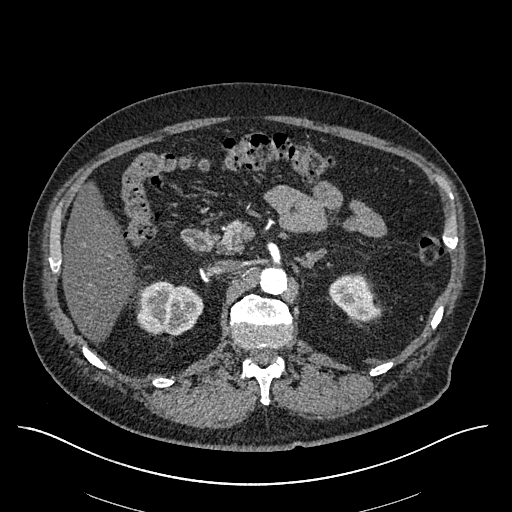
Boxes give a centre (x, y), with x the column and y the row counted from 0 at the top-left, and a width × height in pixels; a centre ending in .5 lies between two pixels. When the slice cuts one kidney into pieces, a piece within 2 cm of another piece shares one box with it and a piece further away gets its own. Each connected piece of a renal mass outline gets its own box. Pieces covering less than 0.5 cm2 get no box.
This is axial slice 382 of 670 (slice 1 is the lowest) of an arterial-phase abdominal CT with contrast; each pixel is 0.861 mm and the slice is 1.00 mm thick. Boxed on this slice (two kidney boxes), listed by box centre from the image's left to its right: (1) Box centre (169.5, 307.5), 68 × 56 pixels: right kidney (outlined area 2,871 px, about 21.3 cm2). (2) Left kidney, box centre (353.5, 298), 50 × 49 pixels (outlined area 1,676 px, about 12.4 cm2). This slice carries no renal mass outline.
Acquired at 120 kVp and reconstructed with the I30f kernel.